Abdominal CT with intravenous contrast, axial plane, 120 kVp, kernel B31f. Slice 10/51 from the bottom of the scan; thickness 5.00 mm; pixel size 0.865 mm.
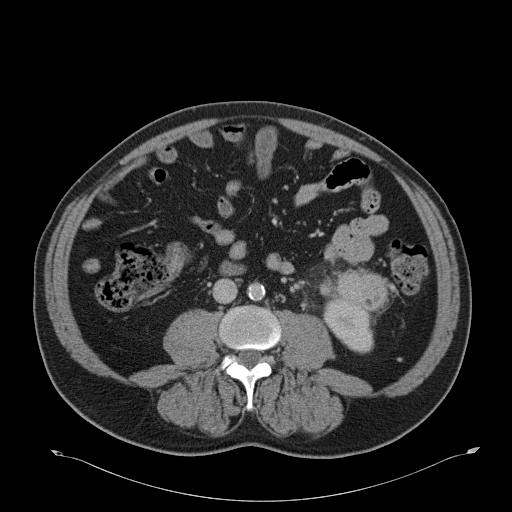
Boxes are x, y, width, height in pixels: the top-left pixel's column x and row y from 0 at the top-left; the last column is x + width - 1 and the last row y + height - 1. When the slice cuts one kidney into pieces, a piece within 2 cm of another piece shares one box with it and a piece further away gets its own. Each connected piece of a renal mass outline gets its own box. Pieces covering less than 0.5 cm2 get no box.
One kidney box and two renal mass boxes on this slice; by box centre, from the image's left to its right: (1) Box x 320, y 276, width 13, height 22: left renal mass (outlined area 217 px, about 1.6 cm2). (2) Box x 322, y 298, width 52, height 56: left kidney (outlined area 2,016 px, about 15.1 cm2). (3) Box x 332, y 269, width 57, height 44: left renal mass (outlined area 1,696 px, about 12.7 cm2).